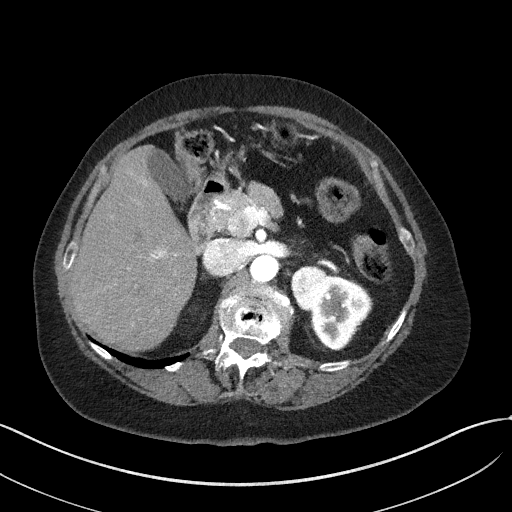
Axial slice 36 of 50 of a contrast-enhanced abdominal CT in the arterial phase (slice 1 is the lowest), 100 kVp, kernel I41f; 3.00 mm slice thickness and 0.758 mm pixels.
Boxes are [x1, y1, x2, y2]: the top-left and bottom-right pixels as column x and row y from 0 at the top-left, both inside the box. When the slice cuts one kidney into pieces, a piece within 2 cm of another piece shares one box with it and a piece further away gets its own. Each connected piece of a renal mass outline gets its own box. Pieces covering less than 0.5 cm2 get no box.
Two boxes on this slice (one kidney box and one renal mass box), listed by box centre from the image's left to its right. (1) Left renal mass at [290, 265, 329, 310] (outlined area 1,393 px, about 8.0 cm2). (2) Left kidney at [308, 275, 373, 350] (outlined area 3,083 px, about 17.7 cm2).